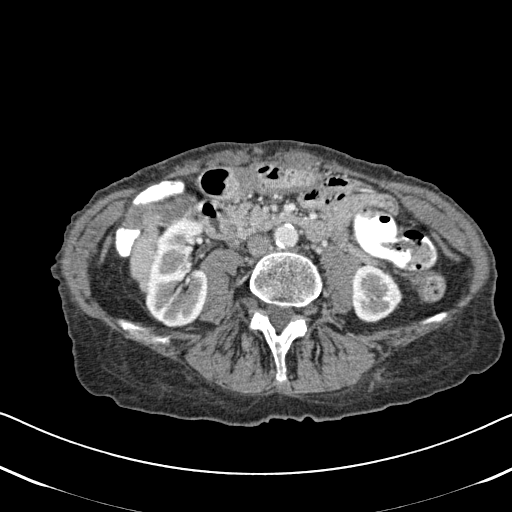
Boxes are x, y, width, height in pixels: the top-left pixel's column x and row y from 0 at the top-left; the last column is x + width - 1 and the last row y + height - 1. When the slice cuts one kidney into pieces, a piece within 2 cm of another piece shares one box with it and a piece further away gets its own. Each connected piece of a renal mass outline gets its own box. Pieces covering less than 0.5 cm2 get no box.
Slice 250/620 of a contrast-enhanced abdominal CT in the arterial phase, counting up from the lowest; pixel size 0.637 mm, slice thickness 2.00 mm. Two boxes on this slice (two kidney boxes), listed by box centre from the image's left to its right. (1) Right kidney at x 145, y 216, width 65, height 112 (outlined area 5,568 px, about 22.6 cm2). (2) Left kidney at x 351, y 265, width 52, height 58 (outlined area 2,279 px, about 9.2 cm2). No renal mass outline on this slice.
Acquired at 120 kVp and reconstructed with the B31f kernel.